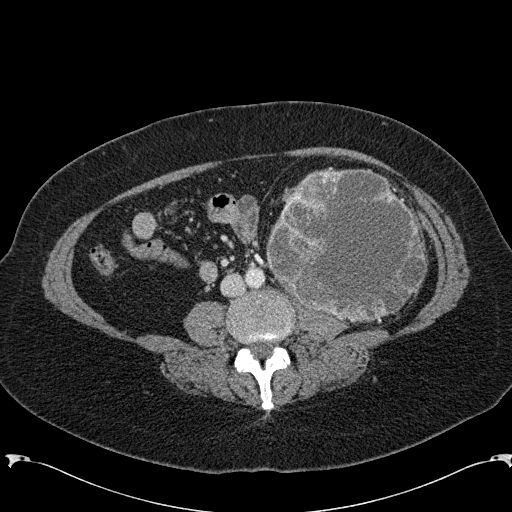
Arterial-phase contrast-enhanced abdominal CT, axial slice 67 of 285 (counted from the lowest slice); tube voltage 120 kVp, convolution kernel B31f; slices 2.00 mm thick, 0.762 mm per pixel.
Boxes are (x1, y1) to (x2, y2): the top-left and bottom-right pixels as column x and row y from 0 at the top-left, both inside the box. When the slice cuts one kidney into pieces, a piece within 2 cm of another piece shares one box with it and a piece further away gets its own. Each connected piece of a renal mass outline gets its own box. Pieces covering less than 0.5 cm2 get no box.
Box (266, 167) to (427, 321): left renal mass (outlined area 18,855 px, about 109.4 cm2); no kidney is outlined on this slice, but the same outlined renal mass comes within 1 cm of the kidney on another slice.